Axial slice 277 of 673 of a contrast-enhanced abdominal CT in the arterial phase (slice 1 is the lowest), 120 kVp, kernel I30f; 1.00 mm slice thickness and 0.855 mm pixels.
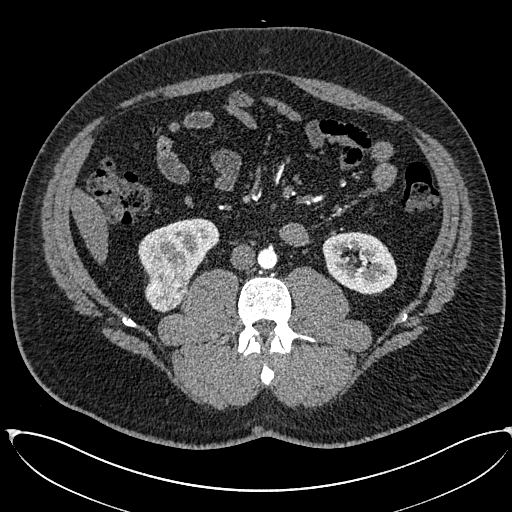
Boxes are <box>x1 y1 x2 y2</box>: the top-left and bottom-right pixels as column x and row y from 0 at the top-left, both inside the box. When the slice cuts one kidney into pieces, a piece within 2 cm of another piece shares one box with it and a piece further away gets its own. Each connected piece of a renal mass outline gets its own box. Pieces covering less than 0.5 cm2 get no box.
Three boxes on this slice (two kidney boxes and one renal mass box), listed by box centre from the image's left to its right. (1) Right renal mass: <box>144 268 188 312</box> (outlined area 1,491 px, about 10.9 cm2). (2) At <box>138 218 219 282</box>: right kidney (outlined area 3,408 px, about 24.9 cm2). (3) At <box>322 231 397 294</box>: left kidney (outlined area 3,522 px, about 25.8 cm2).